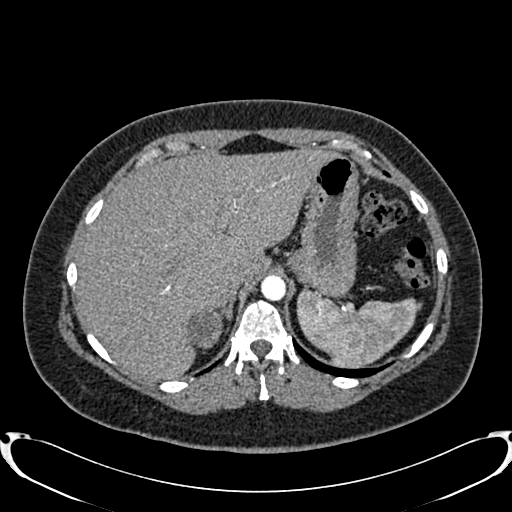
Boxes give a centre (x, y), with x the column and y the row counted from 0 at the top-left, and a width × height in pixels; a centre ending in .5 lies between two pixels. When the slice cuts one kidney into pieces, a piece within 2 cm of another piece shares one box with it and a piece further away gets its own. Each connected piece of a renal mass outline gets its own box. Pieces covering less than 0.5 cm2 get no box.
Slice 636/719 of a contrast-enhanced abdominal CT in the arterial phase, counting up from the lowest; pixel size 0.766 mm, slice thickness 1.00 mm. Right renal mass, box centre (204, 326.5), 37 × 44 pixels (outlined area 1,265 px, about 7.4 cm2); this slice has no kidney outline, though on another slice the same outlined renal mass lies within 1 cm of the kidney.
Scan settings: 120 kVp, B20f reconstruction kernel.